One axial slice (84 of 325, counting up from the lowest) of an arterial-phase abdominal CT acquired with 100 kVp, kernel I30f; each pixel is 0.703 mm and the slice is 1.00 mm thick.
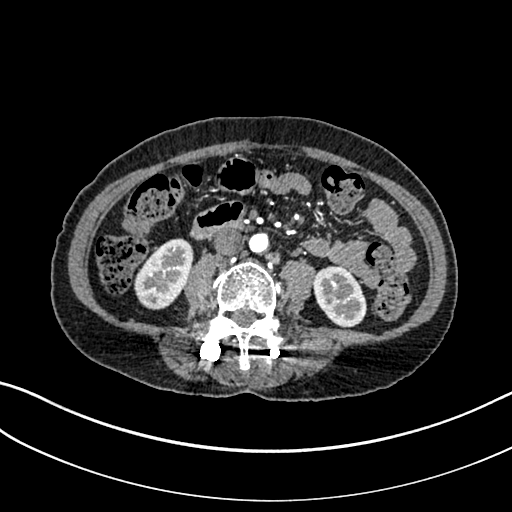
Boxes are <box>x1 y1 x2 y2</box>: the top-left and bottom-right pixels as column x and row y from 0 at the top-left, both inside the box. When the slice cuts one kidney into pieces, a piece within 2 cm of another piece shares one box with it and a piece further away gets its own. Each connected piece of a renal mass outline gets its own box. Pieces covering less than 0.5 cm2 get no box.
Boxed on this slice (two kidney boxes), listed by box centre from the image's left to its right: (1) Right kidney: <box>134 238 193 309</box> (outlined area 2,968 px, about 14.7 cm2). (2) At <box>313 265 367 328</box>: left kidney (outlined area 2,488 px, about 12.3 cm2). This slice carries no renal mass outline.